One axial slice (256 of 383, counting up from the lowest) of an arterial-phase abdominal CT acquired with 100 kVp, kernel SOFT; each pixel is 0.898 mm and the slice is 1.25 mm thick.
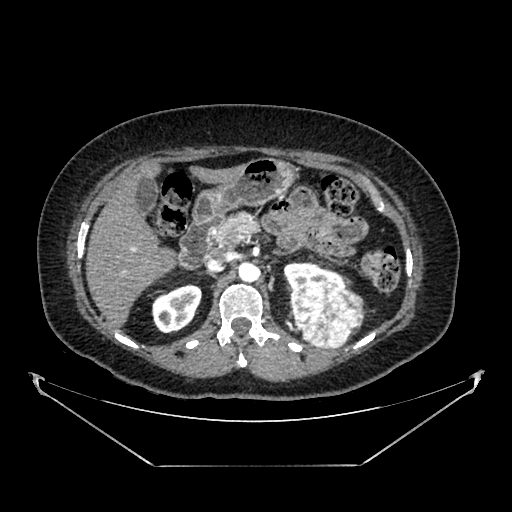
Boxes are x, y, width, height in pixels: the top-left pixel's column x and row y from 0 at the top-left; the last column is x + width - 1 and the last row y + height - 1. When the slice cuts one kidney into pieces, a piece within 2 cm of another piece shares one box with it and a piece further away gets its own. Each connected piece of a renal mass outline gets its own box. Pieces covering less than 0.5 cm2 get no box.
Boxed on this slice (two kidney boxes and one renal mass box), listed by box centre from the image's left to its right: (1) Box x 151, y 284, width 52, height 50: right kidney (outlined area 1,825 px, about 14.7 cm2). (2) Box x 283, y 262, width 66, height 27: left kidney (outlined area 1,062 px, about 8.6 cm2). (3) Left renal mass at x 290, y 281, width 75, height 69 (outlined area 3,972 px, about 32.1 cm2).